Axial slice 61 of 261 of a contrast-enhanced abdominal CT in the arterial phase (slice 1 is the lowest), 120 kVp, kernel I30f; 2.00 mm slice thickness and 0.939 mm pixels.
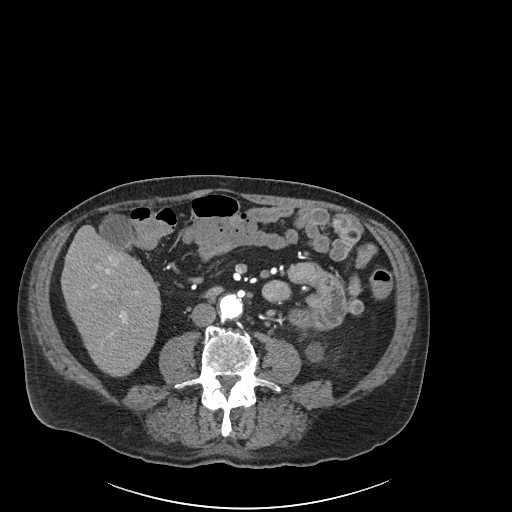
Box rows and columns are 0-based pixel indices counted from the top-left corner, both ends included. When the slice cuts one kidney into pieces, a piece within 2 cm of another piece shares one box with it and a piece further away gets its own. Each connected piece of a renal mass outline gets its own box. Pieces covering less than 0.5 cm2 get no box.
Left kidney at rows 342–362, columns 305–323 (outlined area 305 px, about 2.7 cm2). This slice carries no renal mass outline.